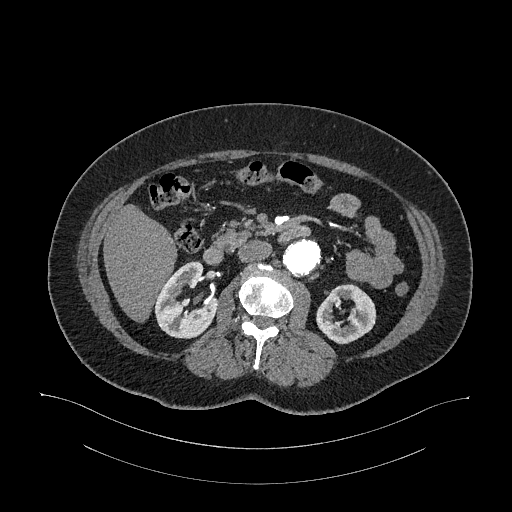
Axial slice 638 of 987 of a contrast-enhanced abdominal CT in the arterial phase (slice 1 is the lowest), 120 kVp, kernel I26f; 1.00 mm slice thickness and 0.977 mm pixels.
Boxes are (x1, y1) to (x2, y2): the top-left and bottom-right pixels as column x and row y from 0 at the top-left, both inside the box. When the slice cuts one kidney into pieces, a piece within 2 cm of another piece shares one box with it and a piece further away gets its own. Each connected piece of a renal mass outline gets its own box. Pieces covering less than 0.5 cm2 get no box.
Two boxes on this slice (two kidney boxes), listed by box centre from the image's left to its right. (1) Box (154, 261) to (217, 338): right kidney (outlined area 3,276 px, about 31.2 cm2). (2) Left kidney from (316, 283) to (376, 343) (outlined area 2,473 px, about 23.6 cm2). This slice carries no renal mass outline.